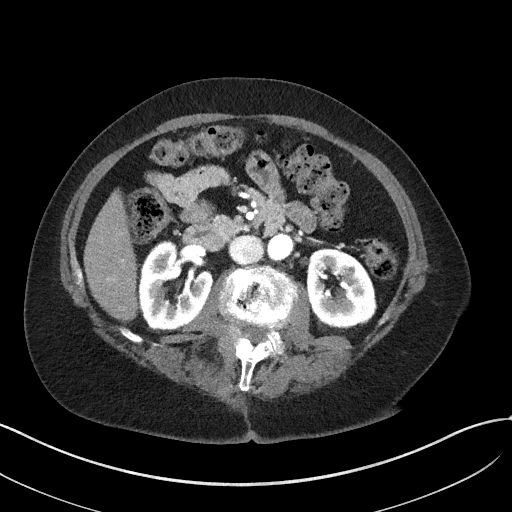
Arterial-phase contrast-enhanced abdominal CT, axial slice 23 of 50 (counted from the lowest slice); tube voltage 100 kVp, convolution kernel I41f; slices 3.00 mm thick, 0.758 mm per pixel.
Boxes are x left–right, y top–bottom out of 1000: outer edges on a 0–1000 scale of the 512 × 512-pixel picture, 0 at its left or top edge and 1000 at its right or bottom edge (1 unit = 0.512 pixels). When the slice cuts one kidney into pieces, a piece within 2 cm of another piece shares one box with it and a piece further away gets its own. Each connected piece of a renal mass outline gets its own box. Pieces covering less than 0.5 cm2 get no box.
Two boxes on this slice (two kidney boxes), listed by box centre from the image's left to its right. (1) Right kidney at x 275–416, y 473–648 out of 1000 (outlined area 4,665 px, about 26.8 cm2). (2) Left kidney, box x 602–738, y 486–643 out of 1000 (outlined area 4,265 px, about 24.5 cm2). No renal mass outline on this slice.